Abdominal CT with intravenous contrast, arterial phase, axial plane, 120 kVp, kernel STANDARD. Slice 3/69 from the bottom of the scan; thickness 2.50 mm; pixel size 0.846 mm.
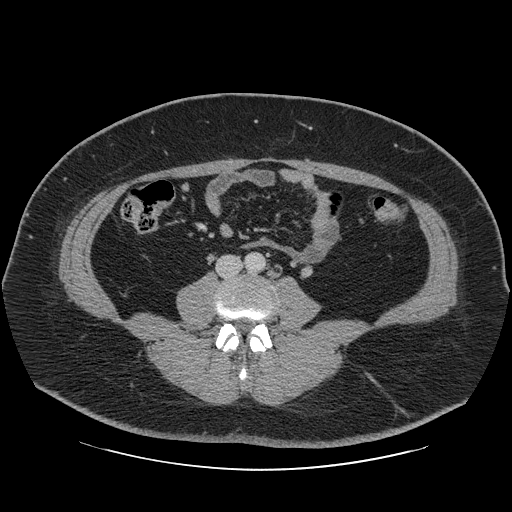
Neither a kidney nor a renal mass is outlined here. Only kidneys and renal masses are outlined anywhere in this scan; other structures are never outlined.